Arterial-phase contrast-enhanced abdominal CT, axial slice 178 of 316 (counted from the lowest slice); tube voltage 100 kVp, convolution kernel I40f; slices 2.00 mm thick, 0.840 mm per pixel.
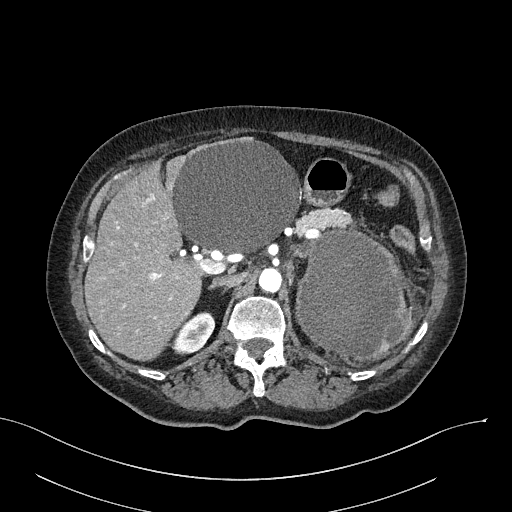
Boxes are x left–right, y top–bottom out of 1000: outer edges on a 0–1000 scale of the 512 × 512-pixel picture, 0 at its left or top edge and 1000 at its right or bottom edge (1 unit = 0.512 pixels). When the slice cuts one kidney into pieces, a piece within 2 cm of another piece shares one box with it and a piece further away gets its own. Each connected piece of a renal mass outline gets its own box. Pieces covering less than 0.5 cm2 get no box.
Boxed on this slice (one kidney box and one renal mass box), listed by box centre from the image's left to its right: (1) Right kidney at x 334–422, y 607–695 out of 1000 (outlined area 1,260 px, about 8.9 cm2). (2) Left renal mass at x 576–807, y 447–705 out of 1000 (outlined area 11,656 px, about 82.2 cm2); here it is more than 1 cm from any kidney outline, though on another slice the same outlined renal mass lies within 1 cm of the kidney.